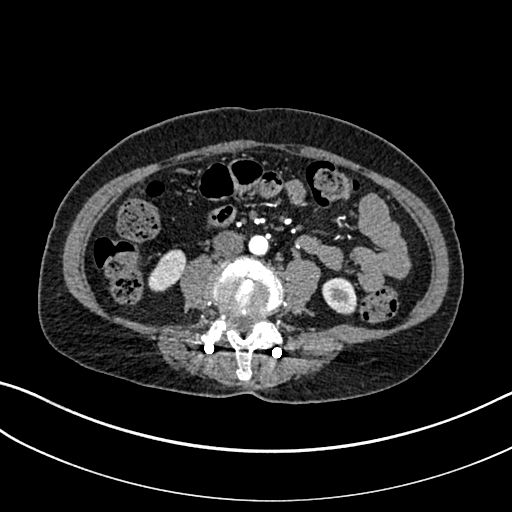
Axial slice 60 of 325 of a contrast-enhanced abdominal CT in the arterial phase (slice 1 is the lowest), 100 kVp, kernel I30f; 1.00 mm slice thickness and 0.703 mm pixels.
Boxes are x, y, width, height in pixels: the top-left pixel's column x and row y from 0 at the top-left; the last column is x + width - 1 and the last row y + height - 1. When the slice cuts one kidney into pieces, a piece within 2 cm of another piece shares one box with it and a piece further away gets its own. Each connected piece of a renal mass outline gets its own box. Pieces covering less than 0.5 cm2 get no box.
Two boxes on this slice (two kidney boxes), listed by box centre from the image's left to its right. (1) Box x 148, y 249, width 39, height 43: right kidney (outlined area 1,108 px, about 5.5 cm2). (2) Box x 322, y 277, width 36, height 38: left kidney (outlined area 1,035 px, about 5.1 cm2). No renal mass outline on this slice.